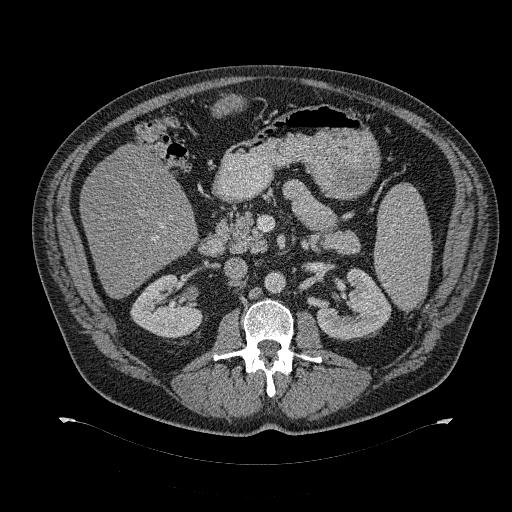
Contrast-enhanced abdominal CT, axial slice 188 of 274 (counted from the lowest slice); tube voltage 120 kVp, convolution kernel B31f; slices 2.00 mm thick, 0.977 mm per pixel.
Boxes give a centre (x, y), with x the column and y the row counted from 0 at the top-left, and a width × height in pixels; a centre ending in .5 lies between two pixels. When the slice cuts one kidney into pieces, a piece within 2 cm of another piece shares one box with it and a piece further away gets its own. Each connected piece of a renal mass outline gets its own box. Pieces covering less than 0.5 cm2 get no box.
Two boxes on this slice (two kidney boxes), listed by box centre from the image's left to its right. (1) Right kidney in a box with centre (166, 306), 73 × 65 pixels (outlined area 3,173 px, about 30.3 cm2). (2) Box centre (353.5, 304), 76 × 73 pixels: left kidney (outlined area 3,471 px, about 33.1 cm2). This slice carries no renal mass outline.